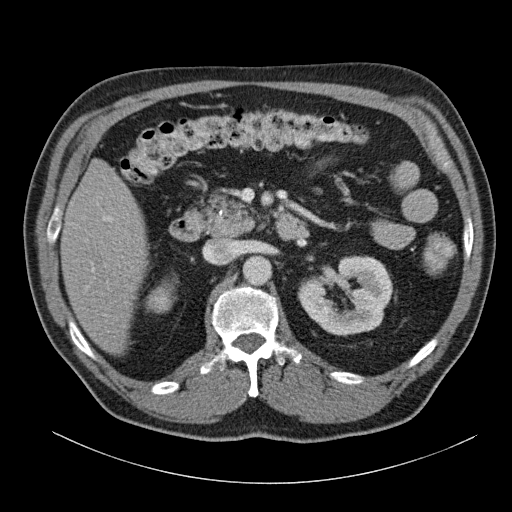
Axial slice 77 of 140 of a contrast-enhanced abdominal CT in the arterial phase (slice 1 is the lowest), 120 kVp, kernel B31f; 5.00 mm slice thickness and 0.754 mm pixels.
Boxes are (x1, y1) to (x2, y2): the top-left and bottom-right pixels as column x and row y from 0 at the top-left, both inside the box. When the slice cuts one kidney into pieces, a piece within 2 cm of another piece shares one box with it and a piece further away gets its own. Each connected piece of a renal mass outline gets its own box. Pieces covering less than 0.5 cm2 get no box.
Two boxes on this slice (two kidney boxes), listed by box centre from the image's left to its right. (1) Right kidney from (145, 283) to (173, 313) (outlined area 670 px, about 3.8 cm2). (2) Left kidney from (297, 255) to (393, 336) (outlined area 5,362 px, about 30.5 cm2). This slice carries no renal mass outline.